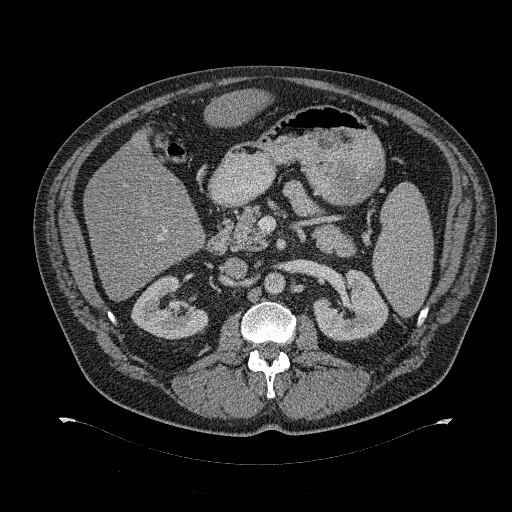
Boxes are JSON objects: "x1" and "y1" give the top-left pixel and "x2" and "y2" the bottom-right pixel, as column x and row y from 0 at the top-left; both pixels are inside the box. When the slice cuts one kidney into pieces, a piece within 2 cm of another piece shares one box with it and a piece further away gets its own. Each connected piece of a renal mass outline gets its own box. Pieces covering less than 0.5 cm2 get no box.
Slice 191/274 of a contrast-enhanced abdominal CT, counting up from the lowest; pixel size 0.977 mm, slice thickness 2.00 mm. Two kidney boxes on this slice; by box centre, from the image's left to its right: (1) Right kidney at {"x1": 131, "y1": 275, "x2": 208, "y2": 339} (outlined area 3,194 px, about 30.5 cm2). (2) Left kidney, box {"x1": 313, "y1": 269, "x2": 388, "y2": 342} (outlined area 3,667 px, about 35.0 cm2). No renal mass outline on this slice.
Scan settings: 120 kVp, B31f reconstruction kernel.